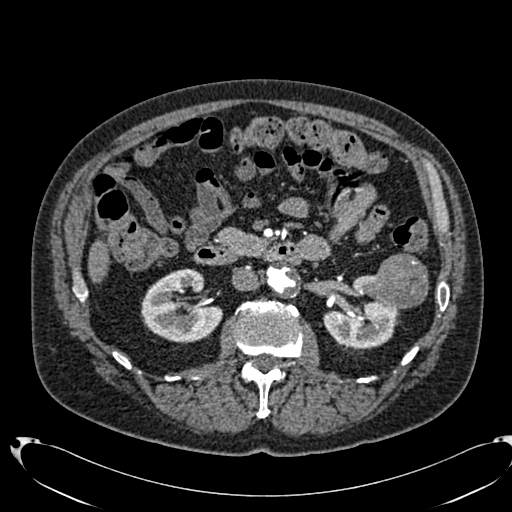
Axial slice 410 of 553 of a contrast-enhanced abdominal CT in the arterial phase (slice 1 is the lowest), 120 kVp, kernel B20f; 1.00 mm slice thickness and 0.773 mm pixels.
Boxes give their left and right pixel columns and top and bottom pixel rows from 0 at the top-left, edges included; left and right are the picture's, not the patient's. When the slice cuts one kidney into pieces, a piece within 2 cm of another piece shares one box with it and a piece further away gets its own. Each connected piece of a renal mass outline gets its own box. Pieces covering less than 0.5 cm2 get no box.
Boxed on this slice (two kidney boxes and one renal mass box), listed by box centre from the image's left to its right: (1) Right kidney in the box with left 141, top 269, right 222, bottom 343 (outlined area 4,167 px, about 24.9 cm2). (2) Left kidney, the box with left 323, top 275, right 399, bottom 348 (outlined area 3,517 px, about 21.0 cm2). (3) Box with left 374, top 253, right 428, bottom 308: left renal mass (outlined area 2,404 px, about 14.4 cm2).